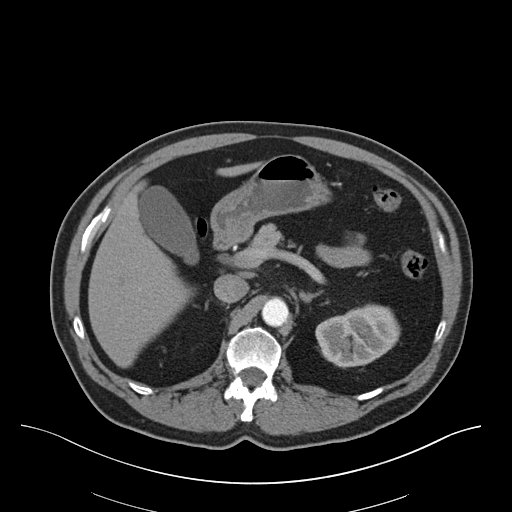
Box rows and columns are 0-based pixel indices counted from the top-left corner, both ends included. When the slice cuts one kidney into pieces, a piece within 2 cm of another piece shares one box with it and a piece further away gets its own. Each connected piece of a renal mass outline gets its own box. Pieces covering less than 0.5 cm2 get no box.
Contrast-enhanced abdominal CT, axial slice 43 of 75 (counted from the lowest slice); 3.00 mm thick, 0.875 mm per pixel. Box rows 304–368, columns 315–400: left kidney (outlined area 3,983 px, about 30.5 cm2). No renal mass is outlined on this slice.
Acquired at 140 kVp and reconstructed with the B30f kernel.